Abdominal CT with intravenous contrast, arterial phase, axial plane, 120 kVp, kernel B30f. Slice 447/581 from the bottom of the scan; thickness 1.00 mm; pixel size 0.713 mm.
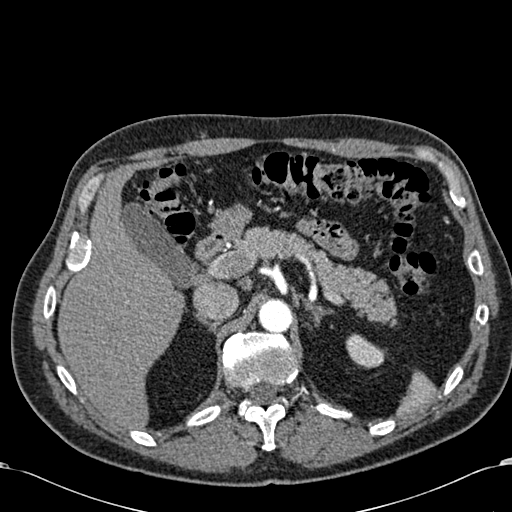
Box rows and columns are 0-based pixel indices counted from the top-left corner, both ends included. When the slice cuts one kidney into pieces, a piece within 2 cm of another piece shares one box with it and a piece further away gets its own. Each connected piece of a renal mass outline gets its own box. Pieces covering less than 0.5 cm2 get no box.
Box rows 333–368, columns 345–384: left kidney (outlined area 923 px, about 4.7 cm2). This slice carries no renal mass outline.